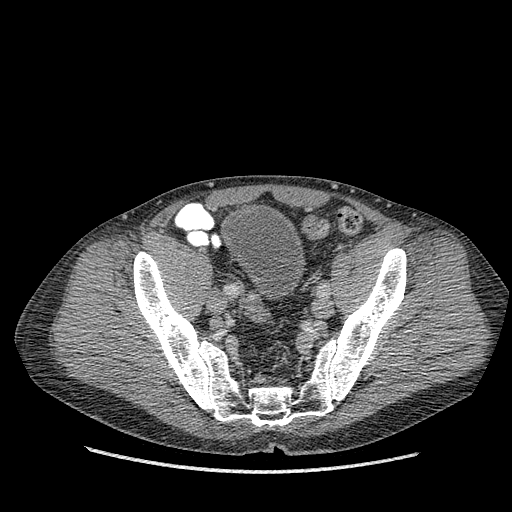
Abdominal CT with intravenous contrast, arterial phase, axial plane, 120 kVp, kernel STANDARD. Slice 79/349 from the bottom of the scan; thickness 1.25 mm; pixel size 0.742 mm.
Neither a kidney nor a renal mass is outlined here. Only kidneys and renal masses are outlined anywhere in this scan; other structures are never outlined.